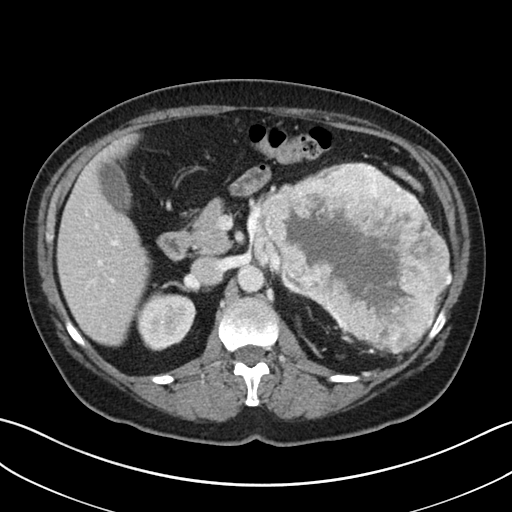
One axial slice (23 of 38, counting up from the lowest) of a contrast-enhanced abdominal CT acquired with 100 kVp, kernel I30f; each pixel is 0.730 mm and the slice is 5.00 mm thick.
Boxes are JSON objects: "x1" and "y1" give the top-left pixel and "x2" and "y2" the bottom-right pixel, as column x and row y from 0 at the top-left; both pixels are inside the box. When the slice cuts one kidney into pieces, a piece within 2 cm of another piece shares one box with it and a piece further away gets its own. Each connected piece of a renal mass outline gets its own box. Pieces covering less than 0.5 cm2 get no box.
Three boxes on this slice (two kidney boxes and one renal mass box), listed by box centre from the image's left to its right. (1) Right kidney, box {"x1": 136, "y1": 291, "x2": 196, "y2": 350} (outlined area 2,711 px, about 14.5 cm2). (2) Left kidney, box {"x1": 279, "y1": 272, "x2": 308, "y2": 298} (outlined area 301 px, about 1.6 cm2). (3) Left renal mass, box {"x1": 259, "y1": 162, "x2": 453, "y2": 353} (outlined area 24,570 px, about 131.1 cm2).